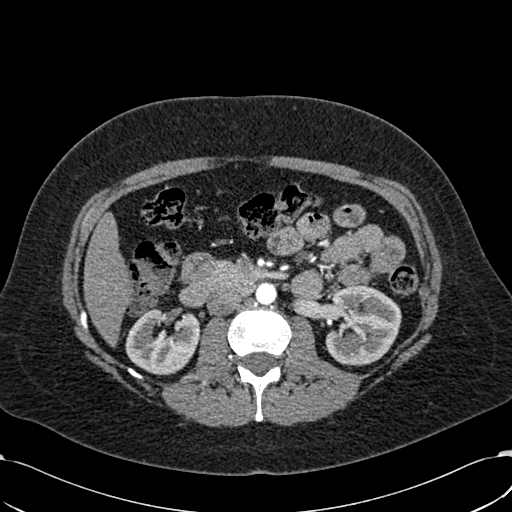
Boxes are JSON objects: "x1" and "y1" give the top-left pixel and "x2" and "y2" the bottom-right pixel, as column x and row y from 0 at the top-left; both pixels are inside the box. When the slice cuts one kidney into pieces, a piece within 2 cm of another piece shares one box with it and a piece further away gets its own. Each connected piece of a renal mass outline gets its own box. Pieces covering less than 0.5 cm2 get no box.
This is axial slice 342 of 532 (slice 1 is the lowest) of an arterial-phase abdominal CT with contrast; each pixel is 0.713 mm and the slice is 1.00 mm thick. Boxed on this slice (two kidney boxes), listed by box centre from the image's left to its right: (1) Right kidney, box {"x1": 125, "y1": 307, "x2": 200, "y2": 375} (outlined area 3,745 px, about 19.0 cm2). (2) Left kidney at {"x1": 325, "y1": 284, "x2": 401, "y2": 365} (outlined area 4,897 px, about 24.9 cm2). No renal mass outline on this slice.
Acquired at 120 kVp and reconstructed with the B30f kernel.